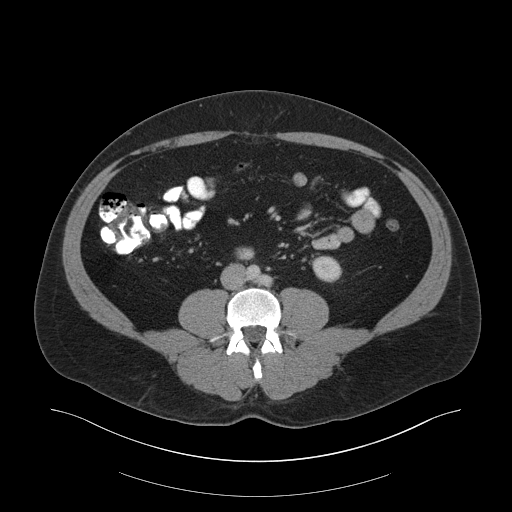
Arterial-phase contrast-enhanced abdominal CT, axial slice 84 of 159 (counted from the lowest slice); tube voltage 140 kVp, convolution kernel B30f; slices 3.00 mm thick, 0.977 mm per pixel.
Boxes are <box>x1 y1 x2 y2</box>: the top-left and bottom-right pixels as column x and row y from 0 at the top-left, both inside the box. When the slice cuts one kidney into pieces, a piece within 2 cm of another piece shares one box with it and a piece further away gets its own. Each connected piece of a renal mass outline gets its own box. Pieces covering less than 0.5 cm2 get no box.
At <box>311 255 342 282</box>: left kidney (outlined area 653 px, about 6.2 cm2). No renal mass outline on this slice.